Abdominal CT with intravenous contrast, arterial phase, axial plane, 120 kVp, kernel B30f. Slice 436/512 from the bottom of the scan; thickness 1.00 mm; pixel size 0.771 mm.
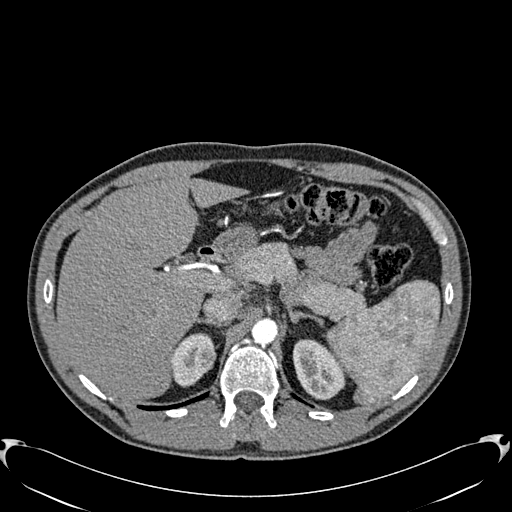
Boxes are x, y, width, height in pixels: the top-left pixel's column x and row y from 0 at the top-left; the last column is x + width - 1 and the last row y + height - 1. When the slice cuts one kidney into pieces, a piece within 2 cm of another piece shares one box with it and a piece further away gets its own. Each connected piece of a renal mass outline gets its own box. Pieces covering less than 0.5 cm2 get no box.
Three boxes on this slice (two kidney boxes and one renal mass box), listed by box centre from the image's left to its right. (1) Right kidney, box x 170, y 333, width 46, height 54 (outlined area 1,499 px, about 8.9 cm2). (2) Box x 196, y 350, width 20, height 20: right renal mass (outlined area 278 px, about 1.7 cm2). (3) Box x 292, y 339, width 54, height 62: left kidney (outlined area 2,335 px, about 13.9 cm2).